Axial slice 48 of 88 of a contrast-enhanced abdominal CT in the arterial phase (slice 1 is the lowest), 100 kVp, kernel I40f; 5.00 mm slice thickness and 0.705 mm pixels.
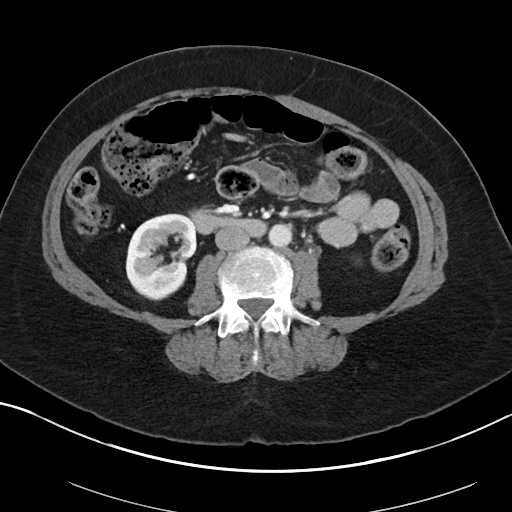
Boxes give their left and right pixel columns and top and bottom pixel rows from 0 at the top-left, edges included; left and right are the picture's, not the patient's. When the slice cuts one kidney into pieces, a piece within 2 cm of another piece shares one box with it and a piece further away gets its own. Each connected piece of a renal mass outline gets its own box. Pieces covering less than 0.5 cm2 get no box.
Right kidney, the box with left 125, top 213, right 196, bottom 300 (outlined area 4,592 px, about 22.8 cm2). This slice carries no renal mass outline.